Arterial-phase contrast-enhanced abdominal CT, axial slice 290 of 581 (counted from the lowest slice); tube voltage 120 kVp, convolution kernel B30f; slices 1.00 mm thick, 0.713 mm per pixel.
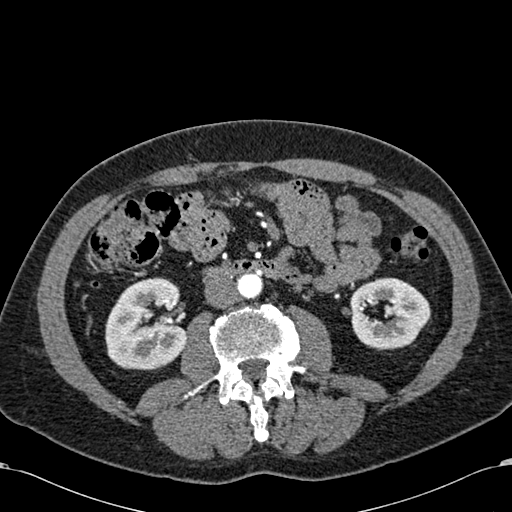
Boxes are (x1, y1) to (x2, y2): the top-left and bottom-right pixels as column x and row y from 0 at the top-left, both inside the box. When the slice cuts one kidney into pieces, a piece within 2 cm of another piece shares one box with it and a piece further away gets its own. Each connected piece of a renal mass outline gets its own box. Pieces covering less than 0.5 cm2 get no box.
Two kidney boxes on this slice; by box centre, from the image's left to its right: (1) Box (105, 277) to (187, 369): right kidney (outlined area 5,914 px, about 30.1 cm2). (2) Left kidney from (349, 277) to (430, 350) (outlined area 4,358 px, about 22.1 cm2). No renal mass is outlined on this slice.